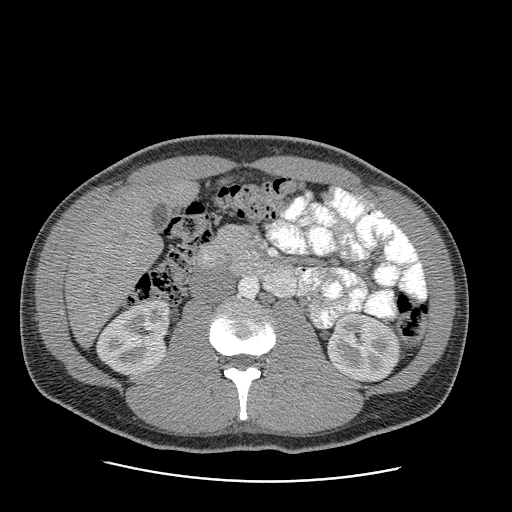
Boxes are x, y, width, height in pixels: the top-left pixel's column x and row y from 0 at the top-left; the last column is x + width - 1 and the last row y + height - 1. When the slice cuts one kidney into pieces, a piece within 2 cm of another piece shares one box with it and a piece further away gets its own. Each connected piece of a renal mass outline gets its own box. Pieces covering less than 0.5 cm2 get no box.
Slice 141/199 of a contrast-enhanced abdominal CT in the arterial phase, counting up from the lowest; pixel size 0.789 mm, slice thickness 2.50 mm. Two boxes on this slice (two kidney boxes), listed by box centre from the image's left to its right. (1) Right kidney, box x 96, y 299, width 76, height 77 (outlined area 4,209 px, about 26.2 cm2). (2) Left kidney at x 326, y 313, width 77, height 70 (outlined area 3,979 px, about 24.8 cm2).
Tube voltage 120 kVp; convolution kernel STANDARD.